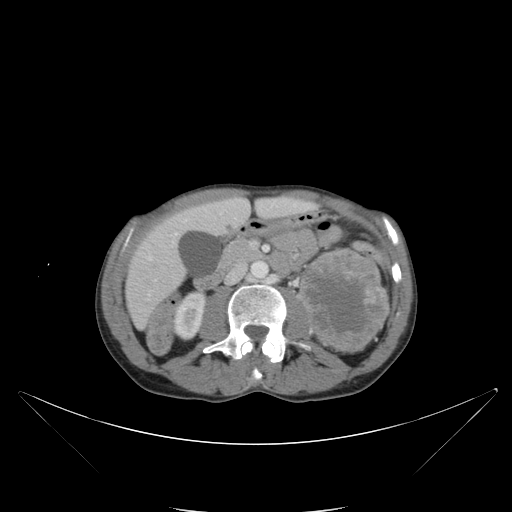
Contrast-enhanced abdominal CT, axial slice 56 of 88 (counted from the lowest slice); tube voltage 120 kVp, convolution kernel B; slices 5.00 mm thick, 0.865 mm per pixel.
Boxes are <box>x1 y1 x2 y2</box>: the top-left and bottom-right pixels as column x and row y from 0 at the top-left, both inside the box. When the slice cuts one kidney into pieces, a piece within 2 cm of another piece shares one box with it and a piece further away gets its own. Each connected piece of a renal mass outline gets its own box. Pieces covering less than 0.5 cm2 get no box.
Two boxes on this slice (one kidney box and one renal mass box), listed by box centre from the image's left to its right. (1) At <box>173 290 205 340</box>: right kidney (outlined area 1,210 px, about 9.1 cm2). (2) At <box>298 247 389 353</box>: left renal mass (outlined area 7,181 px, about 53.8 cm2); here it is more than 1 cm from any kidney outline, though on another slice the same outlined renal mass lies within 1 cm of the kidney.